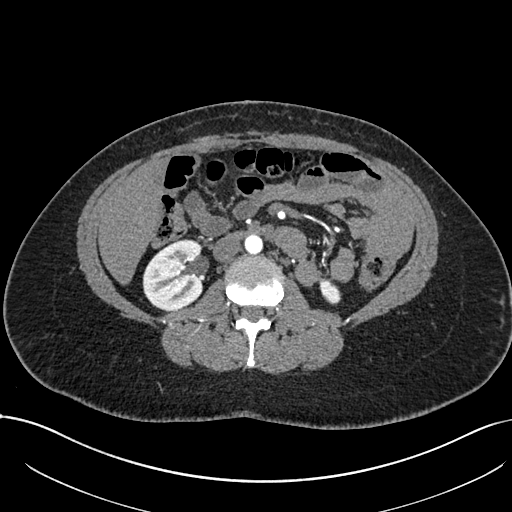
One axial slice (384 of 738, counting up from the lowest) of an arterial-phase abdominal CT acquired with 120 kVp, kernel I30f; each pixel is 0.789 mm and the slice is 1.00 mm thick.
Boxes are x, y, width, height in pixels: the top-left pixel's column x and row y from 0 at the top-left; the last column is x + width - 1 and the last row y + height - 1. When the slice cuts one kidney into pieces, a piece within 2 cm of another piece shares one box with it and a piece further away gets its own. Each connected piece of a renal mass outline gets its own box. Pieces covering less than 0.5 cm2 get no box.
Two kidney boxes on this slice; by box centre, from the image's left to its right: (1) Box x 142, y 239, width 62, height 72: right kidney (outlined area 3,452 px, about 21.5 cm2). (2) Left kidney at x 319, y 278, width 22, height 26 (outlined area 407 px, about 2.5 cm2). No renal mass is outlined on this slice.